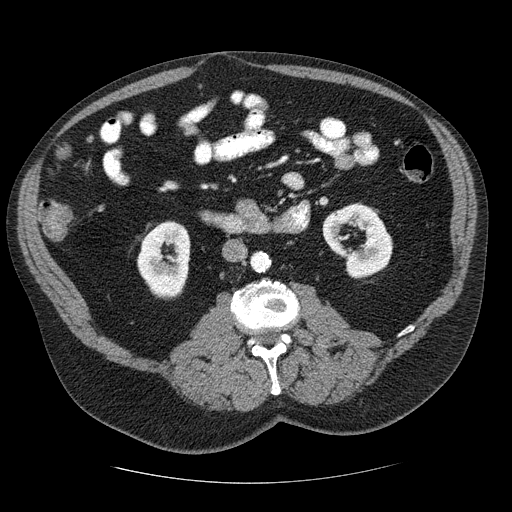
Contrast-enhanced abdominal CT, axial slice 118 of 206 (counted from the lowest slice); tube voltage 120 kVp, convolution kernel STANDARD; slices 2.50 mm thick, 0.879 mm per pixel.
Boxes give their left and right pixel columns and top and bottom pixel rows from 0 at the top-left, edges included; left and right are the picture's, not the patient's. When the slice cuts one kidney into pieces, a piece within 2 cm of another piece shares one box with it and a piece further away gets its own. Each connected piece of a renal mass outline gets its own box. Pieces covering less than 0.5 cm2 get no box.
Boxed on this slice (two kidney boxes), listed by box centre from the image's left to its right: (1) Right kidney, the box with left 136, top 220, right 190, bottom 299 (outlined area 3,320 px, about 25.6 cm2). (2) Left kidney in the box with left 322, top 203, right 393, bottom 279 (outlined area 3,527 px, about 27.2 cm2). No renal mass is outlined on this slice.